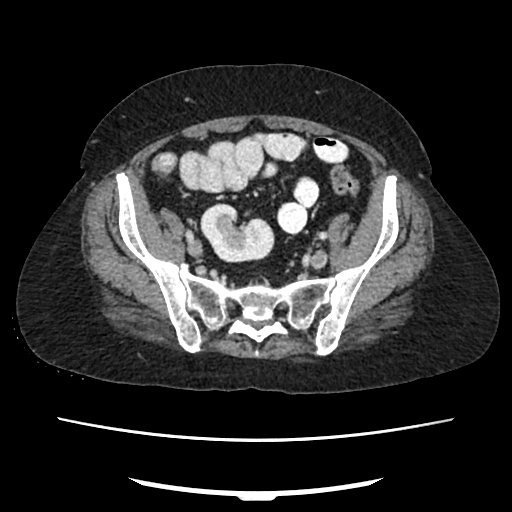
Arterial-phase contrast-enhanced abdominal CT, axial slice 68 of 207 (counted from the lowest slice); tube voltage 120 kVp, convolution kernel FC18; slices 2.00 mm thick, 0.741 mm per pixel.
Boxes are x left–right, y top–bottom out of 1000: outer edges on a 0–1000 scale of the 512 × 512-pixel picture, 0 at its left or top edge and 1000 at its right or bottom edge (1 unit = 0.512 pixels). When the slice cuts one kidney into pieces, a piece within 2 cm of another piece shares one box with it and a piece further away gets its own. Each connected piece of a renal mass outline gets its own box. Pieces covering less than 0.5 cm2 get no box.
Right kidney at x 391–537, y 396–514 out of 1000 (outlined area 3,156 px, about 17.3 cm2). No renal mass is outlined on this slice.